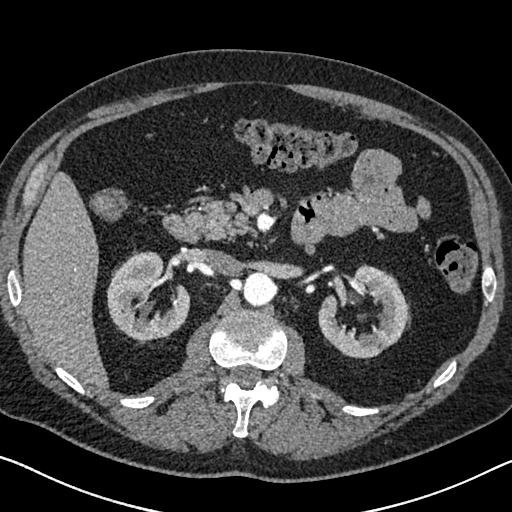
One axial slice (425 of 626, counting up from the lowest) of an arterial-phase abdominal CT acquired with 120 kVp, kernel I30f; each pixel is 0.703 mm and the slice is 1.00 mm thick.
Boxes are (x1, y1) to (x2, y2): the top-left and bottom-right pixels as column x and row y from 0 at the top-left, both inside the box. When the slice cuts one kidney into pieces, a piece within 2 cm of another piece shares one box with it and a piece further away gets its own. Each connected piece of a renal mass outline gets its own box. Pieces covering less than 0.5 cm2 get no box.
Boxed on this slice (two kidney boxes), listed by box centre from the image's left to its right: (1) Right kidney from (107, 250) to (190, 341) (outlined area 5,028 px, about 24.9 cm2). (2) Left kidney from (318, 264) to (407, 358) (outlined area 5,049 px, about 25.0 cm2). This slice carries no renal mass outline.